Abdominal CT with intravenous contrast, axial plane, 100 kVp, kernel I40f. Slice 58/80 from the bottom of the scan; thickness 5.00 mm; pixel size 0.703 mm.
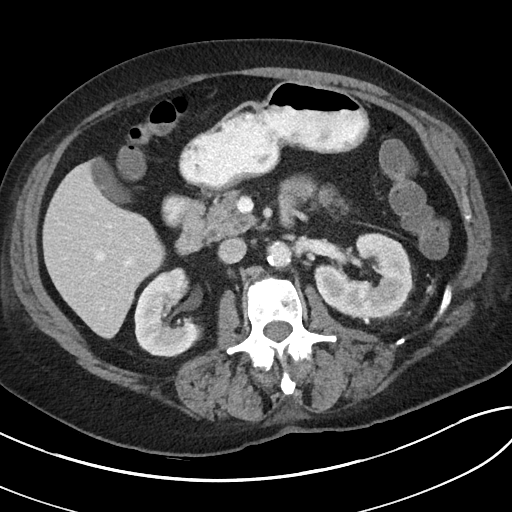
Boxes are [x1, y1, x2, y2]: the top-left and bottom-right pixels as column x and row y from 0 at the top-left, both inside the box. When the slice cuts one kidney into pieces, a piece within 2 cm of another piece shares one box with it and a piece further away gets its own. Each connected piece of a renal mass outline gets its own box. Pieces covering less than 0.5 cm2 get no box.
Two kidney boxes on this slice; by box centre, from the image's left to its right: (1) Box [134, 267, 200, 357]: right kidney (outlined area 4,363 px, about 21.6 cm2). (2) Left kidney at [314, 233, 413, 322] (outlined area 6,136 px, about 30.3 cm2). No renal mass is outlined on this slice.